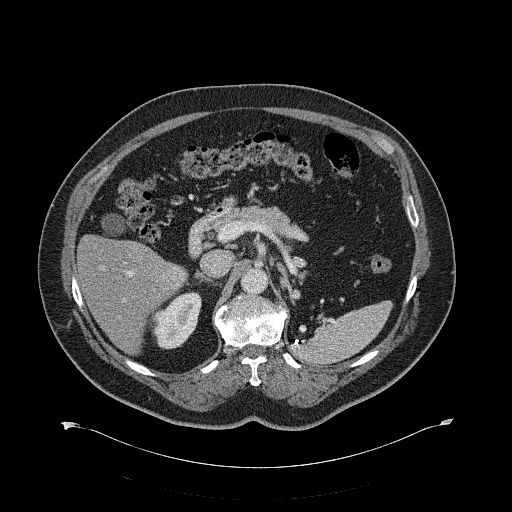
Contrast-enhanced abdominal CT, axial slice 415 of 734 (counted from the lowest slice); tube voltage 120 kVp, convolution kernel B31f; slices 2.00 mm thick, 0.971 mm per pixel.
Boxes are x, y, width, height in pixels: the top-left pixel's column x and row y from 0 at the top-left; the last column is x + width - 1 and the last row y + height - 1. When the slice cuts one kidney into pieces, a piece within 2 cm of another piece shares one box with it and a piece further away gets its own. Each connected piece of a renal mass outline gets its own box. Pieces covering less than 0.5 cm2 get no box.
Right kidney, box x 149, y 292, width 53, height 58 (outlined area 2,008 px, about 18.9 cm2). This slice carries no renal mass outline.